One axial slice (299 of 538, counting up from the lowest) of an arterial-phase abdominal CT acquired with 120 kVp, kernel B30f; each pixel is 0.811 mm and the slice is 1.00 mm thick.
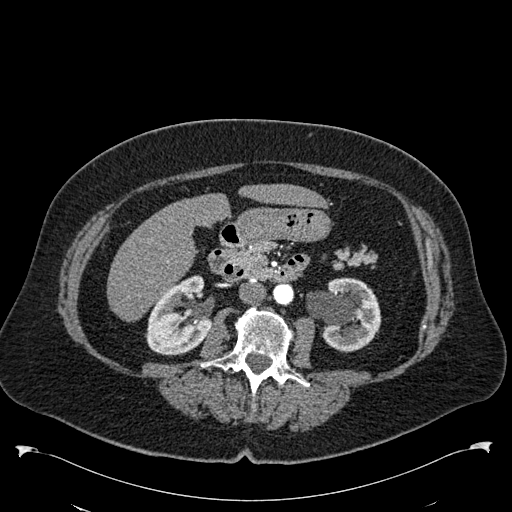
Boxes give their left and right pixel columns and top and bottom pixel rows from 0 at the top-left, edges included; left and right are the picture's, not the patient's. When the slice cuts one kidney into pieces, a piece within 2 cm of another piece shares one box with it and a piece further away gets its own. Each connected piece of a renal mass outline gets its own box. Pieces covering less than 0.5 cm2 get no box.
Two kidney boxes on this slice; by box centre, from the image's left to its right: (1) Right kidney, the box with left 145, top 275, right 212, bottom 355 (outlined area 3,772 px, about 24.8 cm2). (2) Left kidney in the box with left 306, top 277, right 380, bottom 352 (outlined area 3,998 px, about 26.3 cm2). No renal mass outline on this slice.